Abdominal CT with intravenous contrast, arterial phase, axial plane, 100 kVp, kernel I40f. Slice 167/316 from the bottom of the scan; thickness 2.00 mm; pixel size 0.840 mm.
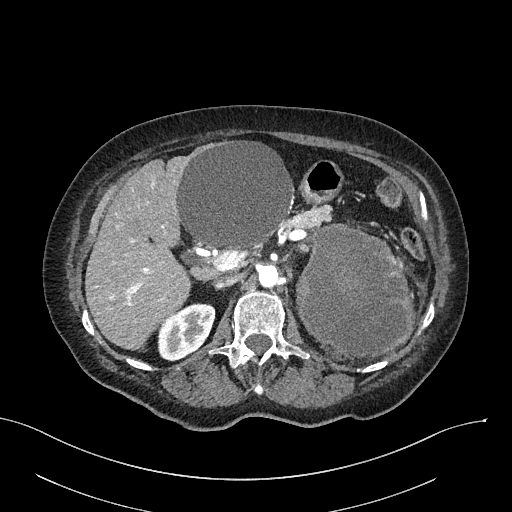
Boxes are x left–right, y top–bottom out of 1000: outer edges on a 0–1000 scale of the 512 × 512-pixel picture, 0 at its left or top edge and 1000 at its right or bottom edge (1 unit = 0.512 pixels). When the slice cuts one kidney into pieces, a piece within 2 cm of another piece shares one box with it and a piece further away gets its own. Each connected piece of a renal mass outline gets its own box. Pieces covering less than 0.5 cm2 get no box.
One kidney box and one renal mass box on this slice; by box centre, from the image's left to its right: (1) Right kidney at x 307–422, y 592–707 out of 1000 (outlined area 2,416 px, about 17.0 cm2). (2) Left renal mass at x 578–811, y 438–699 out of 1000 (outlined area 12,200 px, about 86.1 cm2); here it is more than 1 cm from any kidney outline, though on another slice the same outlined renal mass lies within 1 cm of the kidney.